Abdominal CT with intravenous contrast, axial plane, 120 kVp, kernel B41f. Slice 73/145 from the bottom of the scan; thickness 5.00 mm; pixel size 0.859 mm.
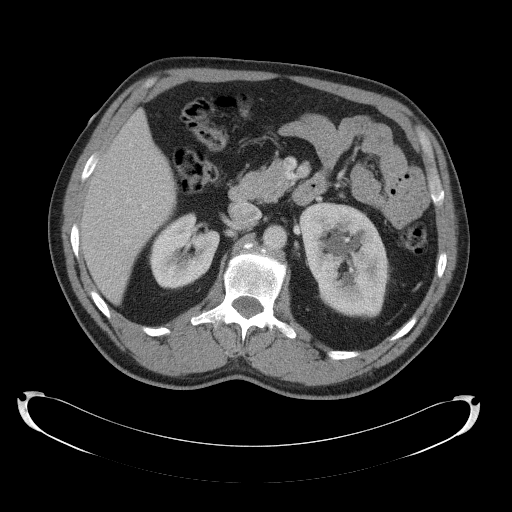
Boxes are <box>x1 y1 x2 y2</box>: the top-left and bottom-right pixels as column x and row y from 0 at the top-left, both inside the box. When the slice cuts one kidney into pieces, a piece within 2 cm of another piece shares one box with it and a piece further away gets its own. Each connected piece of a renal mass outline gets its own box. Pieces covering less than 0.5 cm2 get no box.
Boxed on this slice (two kidney boxes), listed by box centre from the image's left to its right: (1) At <box>149 212 219 289</box>: right kidney (outlined area 3,876 px, about 28.6 cm2). (2) At <box>299 202 387 318</box>: left kidney (outlined area 7,902 px, about 58.4 cm2). No renal mass outline on this slice.